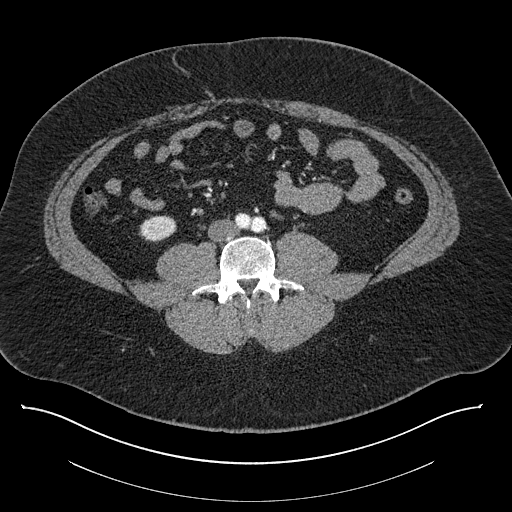
Axial slice 326 of 787 of a contrast-enhanced abdominal CT (slice 1 is the lowest), 140 kVp, kernel I30f; 1.00 mm slice thickness and 0.910 mm pixels.
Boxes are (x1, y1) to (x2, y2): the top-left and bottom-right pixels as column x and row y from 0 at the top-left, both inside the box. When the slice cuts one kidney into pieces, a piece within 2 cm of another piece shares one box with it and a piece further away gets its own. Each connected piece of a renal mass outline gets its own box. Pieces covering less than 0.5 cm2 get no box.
Box (138, 215) to (176, 242): right kidney (outlined area 799 px, about 6.6 cm2). This slice carries no renal mass outline.